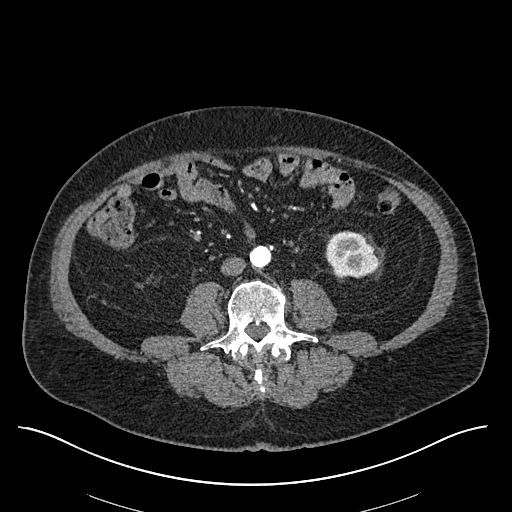
Arterial-phase contrast-enhanced abdominal CT, axial slice 222 of 670 (counted from the lowest slice); tube voltage 120 kVp, convolution kernel I30f; slices 1.00 mm thick, 0.861 mm per pixel.
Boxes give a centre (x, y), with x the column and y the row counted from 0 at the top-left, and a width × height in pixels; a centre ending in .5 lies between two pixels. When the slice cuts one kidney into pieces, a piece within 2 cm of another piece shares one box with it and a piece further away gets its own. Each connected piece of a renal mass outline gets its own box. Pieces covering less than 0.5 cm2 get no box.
Left kidney in a box with centre (351.5, 254), 54 × 47 pixels (outlined area 1,961 px, about 14.5 cm2). No renal mass outline on this slice.